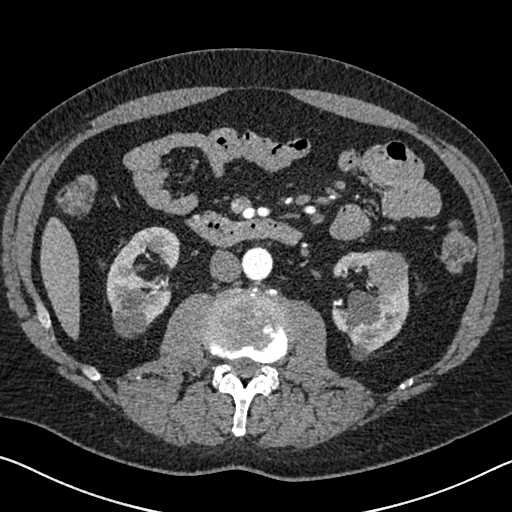
Abdominal CT with intravenous contrast, arterial phase, axial plane, 120 kVp, kernel I30f. Slice 345/626 from the bottom of the scan; thickness 1.00 mm; pixel size 0.703 mm.
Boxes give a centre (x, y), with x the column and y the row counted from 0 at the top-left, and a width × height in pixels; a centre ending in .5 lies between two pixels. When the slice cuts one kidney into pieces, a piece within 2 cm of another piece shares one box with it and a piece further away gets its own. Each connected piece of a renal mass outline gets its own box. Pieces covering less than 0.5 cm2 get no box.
Two kidney boxes and one renal mass box on this slice; by box centre, from the image's left to its right: (1) Box centre (142.5, 282), 74 × 113 pixels: right kidney (outlined area 5,273 px, about 26.1 cm2). (2) Left kidney in a box with centre (370, 304), 79 × 107 pixels (outlined area 4,489 px, about 22.2 cm2). (3) Left renal mass, box centre (387, 272), 43 × 45 pixels (outlined area 1,464 px, about 7.2 cm2).